Abdominal CT with intravenous contrast, arterial phase, axial plane, 120 kVp, kernel I26f. Slice 263/548 from the bottom of the scan; thickness 1.00 mm; pixel size 0.852 mm.
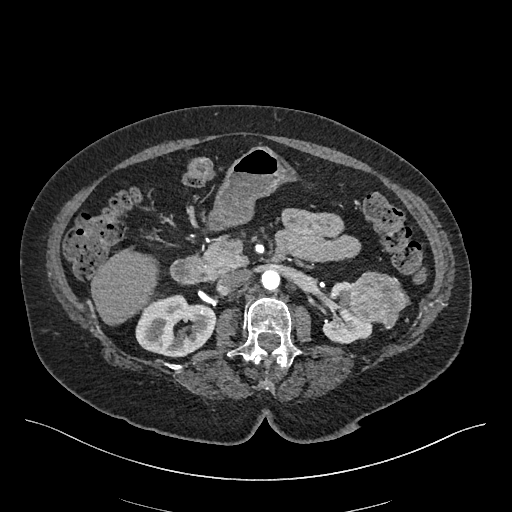
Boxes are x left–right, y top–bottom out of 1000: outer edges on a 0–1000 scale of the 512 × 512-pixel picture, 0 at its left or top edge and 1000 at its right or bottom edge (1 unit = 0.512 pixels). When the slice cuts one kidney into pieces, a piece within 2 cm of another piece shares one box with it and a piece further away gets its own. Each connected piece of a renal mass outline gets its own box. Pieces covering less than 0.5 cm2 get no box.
Boxed on this slice (two kidney boxes and one renal mass box), listed by box centre from the image's left to its right: (1) Right kidney at x 264–422, y 574–699 out of 1000 (outlined area 3,697 px, about 26.8 cm2). (2) Box x 629–732, y 549–672 out of 1000: left kidney (outlined area 1,856 px, about 13.5 cm2). (3) Box x 680–803, y 529–643 out of 1000: left renal mass (outlined area 2,493 px, about 18.1 cm2).